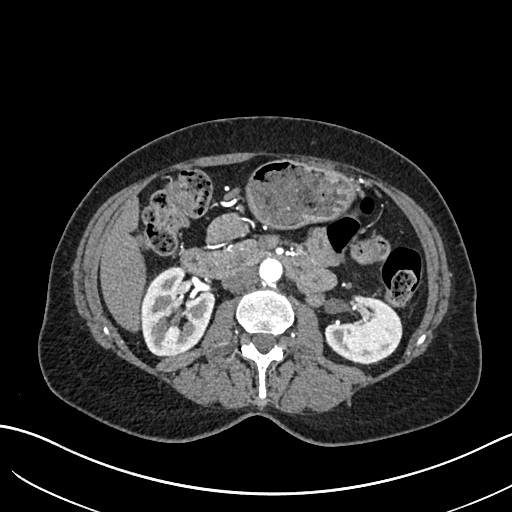
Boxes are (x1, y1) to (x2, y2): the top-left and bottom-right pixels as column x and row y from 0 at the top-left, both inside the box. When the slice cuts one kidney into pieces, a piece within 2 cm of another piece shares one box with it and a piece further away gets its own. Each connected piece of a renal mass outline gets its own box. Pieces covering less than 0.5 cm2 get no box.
This is axial slice 362 of 683 (slice 1 is the lowest) of an arterial-phase abdominal CT with contrast; each pixel is 0.738 mm and the slice is 1.00 mm thick. Two kidney boxes on this slice; by box centre, from the image's left to its right: (1) Box (140, 266) to (215, 355): right kidney (outlined area 5,005 px, about 27.3 cm2). (2) Left kidney, box (325, 295) to (402, 361) (outlined area 3,549 px, about 19.3 cm2). No renal mass is outlined on this slice.
Scan settings: 120 kVp, I30f reconstruction kernel.